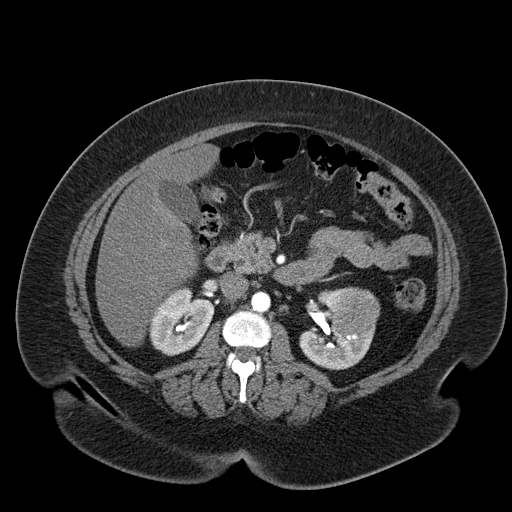
One axial slice (35 of 55, counting up from the lowest) of a contrast-enhanced abdominal CT acquired with 120 kVp, kernel B30f; each pixel is 0.908 mm and the slice is 5.00 mm thick.
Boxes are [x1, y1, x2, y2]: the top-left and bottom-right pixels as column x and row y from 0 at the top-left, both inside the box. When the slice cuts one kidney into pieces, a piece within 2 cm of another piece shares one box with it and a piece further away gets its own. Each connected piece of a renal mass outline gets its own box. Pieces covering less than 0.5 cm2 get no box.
Boxed on this slice (two kidney boxes and one renal mass box), listed by box centre from the image's left to its right: (1) Box [149, 287, 214, 355]: right kidney (outlined area 3,078 px, about 25.4 cm2). (2) Left kidney, box [299, 290, 375, 370] (outlined area 2,882 px, about 23.8 cm2). (3) Left renal mass at [325, 286, 380, 336] (outlined area 2,116 px, about 17.5 cm2).